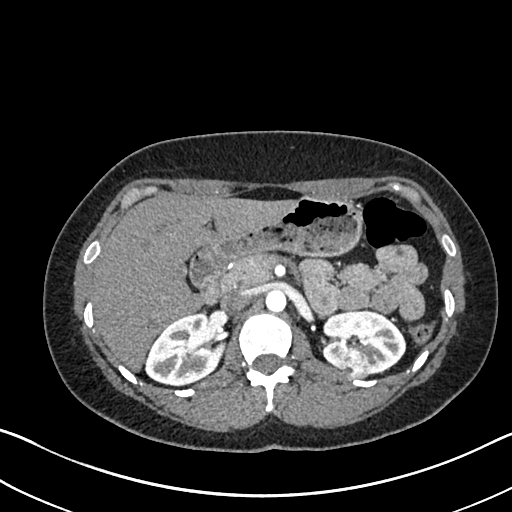
One axial slice (449 of 612, counting up from the lowest) of an arterial-phase abdominal CT acquired with 120 kVp, kernel I30f; each pixel is 0.703 mm and the slice is 1.00 mm thick.
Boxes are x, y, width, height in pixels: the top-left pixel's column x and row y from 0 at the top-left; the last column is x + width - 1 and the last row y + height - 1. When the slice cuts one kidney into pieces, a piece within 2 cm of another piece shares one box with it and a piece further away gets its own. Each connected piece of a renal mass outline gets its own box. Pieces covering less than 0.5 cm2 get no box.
Three boxes on this slice (two kidney boxes and one renal mass box), listed by box centre from the image's left to its right. (1) Right kidney at x 144, y 312, width 77, height 75 (outlined area 3,971 px, about 19.6 cm2). (2) Left renal mass at x 341, y 348, width 30, height 32 (outlined area 712 px, about 3.5 cm2). (3) Left kidney at x 321, y 309, width 86, height 67 (outlined area 3,790 px, about 18.7 cm2).